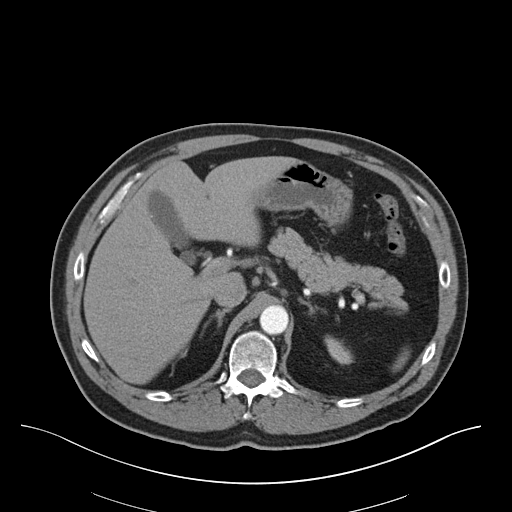
Axial slice 49 of 75 of a contrast-enhanced abdominal CT (slice 1 is the lowest), 140 kVp, kernel B30f; 3.00 mm slice thickness and 0.875 mm pixels.
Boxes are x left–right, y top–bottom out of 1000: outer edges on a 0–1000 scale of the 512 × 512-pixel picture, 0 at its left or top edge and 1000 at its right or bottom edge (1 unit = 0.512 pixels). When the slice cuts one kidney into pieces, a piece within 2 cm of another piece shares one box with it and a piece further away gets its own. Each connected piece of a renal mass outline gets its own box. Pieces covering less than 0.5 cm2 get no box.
Left kidney at x 633–691, y 654–713 out of 1000 (outlined area 513 px, about 3.9 cm2). No renal mass is outlined on this slice.